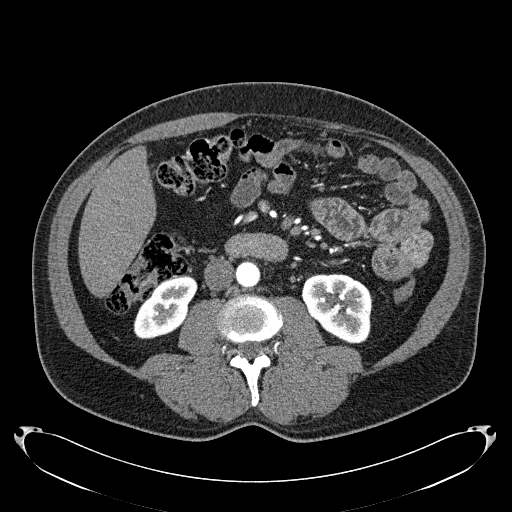
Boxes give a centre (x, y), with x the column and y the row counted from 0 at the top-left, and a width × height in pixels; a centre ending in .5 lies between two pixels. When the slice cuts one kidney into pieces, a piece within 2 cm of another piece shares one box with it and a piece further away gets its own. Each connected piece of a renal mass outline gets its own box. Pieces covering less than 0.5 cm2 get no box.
Slice 90/279 of a contrast-enhanced abdominal CT in the arterial phase, counting up from the lowest; pixel size 0.824 mm, slice thickness 2.00 mm. Two kidney boxes on this slice; by box centre, from the image's left to its right: (1) Box centre (165, 307), 65 × 65 pixels: right kidney (outlined area 2,668 px, about 18.1 cm2). (2) Left kidney in a box with centre (336, 308), 71 × 71 pixels (outlined area 3,798 px, about 25.8 cm2). No renal mass outline on this slice.
Acquired at 120 kVp and reconstructed with the B31f kernel.